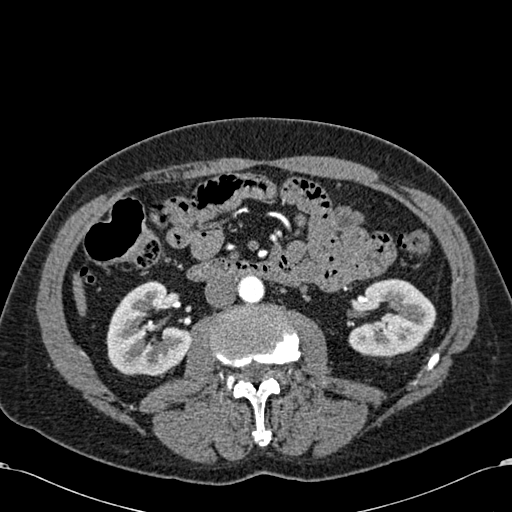
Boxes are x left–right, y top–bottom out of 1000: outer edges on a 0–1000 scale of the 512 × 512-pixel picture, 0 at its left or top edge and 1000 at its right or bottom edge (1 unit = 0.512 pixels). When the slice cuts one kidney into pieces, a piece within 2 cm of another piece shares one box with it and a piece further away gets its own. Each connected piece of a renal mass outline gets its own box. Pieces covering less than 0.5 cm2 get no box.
Arterial-phase contrast-enhanced abdominal CT, axial slice 313 of 581 (counted from the lowest slice); 1.00 mm thick, 0.713 mm per pixel. Two kidney boxes on this slice; by box centre, from the image's left to its right: (1) Box x 209–375, y 547–734 out of 1000: right kidney (outlined area 5,496 px, about 27.9 cm2). (2) Left kidney, box x 680–854, y 543–699 out of 1000 (outlined area 5,120 px, about 26.0 cm2). No renal mass is outlined on this slice.
Acquired at 120 kVp and reconstructed with the B30f kernel.